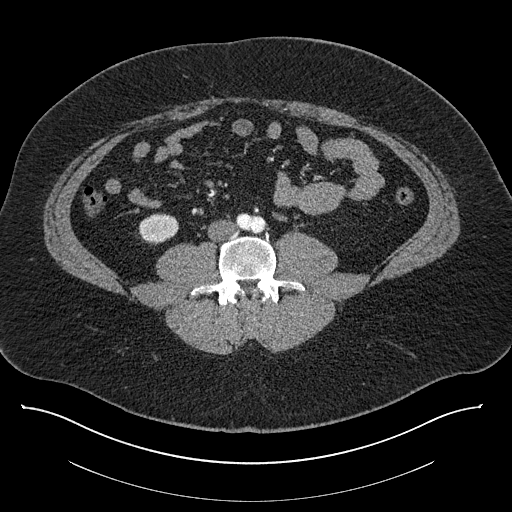
Axial slice 330 of 787 of a contrast-enhanced abdominal CT (slice 1 is the lowest), 140 kVp, kernel I30f; 1.00 mm slice thickness and 0.910 mm pixels.
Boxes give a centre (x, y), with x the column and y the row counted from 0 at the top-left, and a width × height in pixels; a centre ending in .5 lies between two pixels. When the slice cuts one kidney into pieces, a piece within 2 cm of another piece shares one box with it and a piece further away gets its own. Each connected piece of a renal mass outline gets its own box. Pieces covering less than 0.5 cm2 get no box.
Right kidney, box centre (158, 228.5), 41 × 32 pixels (outlined area 992 px, about 8.2 cm2). No renal mass outline on this slice.